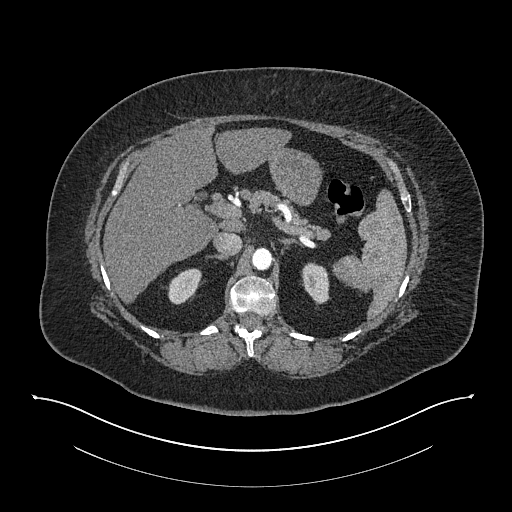
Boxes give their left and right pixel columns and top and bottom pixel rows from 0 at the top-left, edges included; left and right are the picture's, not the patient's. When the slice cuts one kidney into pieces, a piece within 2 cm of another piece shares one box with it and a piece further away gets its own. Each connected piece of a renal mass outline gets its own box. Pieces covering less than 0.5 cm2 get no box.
This is axial slice 562 of 673 (slice 1 is the lowest) of an arterial-phase abdominal CT with contrast; each pixel is 0.957 mm and the slice is 1.00 mm thick. Two kidney boxes on this slice; by box centre, from the image's left to its right: (1) Box with left 167, top 268, right 201, bottom 304: right kidney (outlined area 899 px, about 8.2 cm2). (2) Left kidney, the box with left 301, top 262, right 330, bottom 304 (outlined area 922 px, about 8.4 cm2). No renal mass outline on this slice.
Acquired at 140 kVp and reconstructed with the I30f kernel.